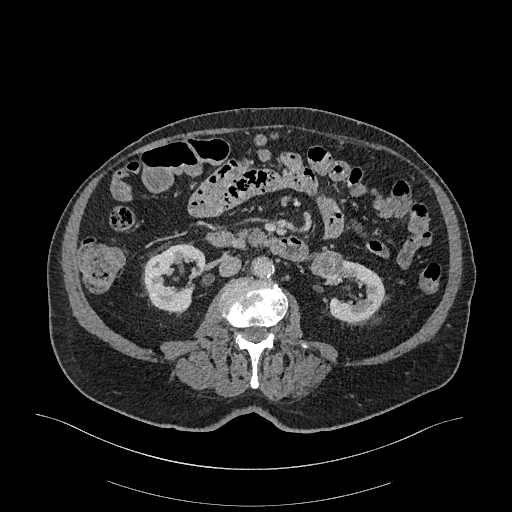
Abdominal CT with intravenous contrast, arterial phase, axial plane, 120 kVp, kernel I26f. Slice 125/470 from the bottom of the scan; thickness 1.00 mm; pixel size 0.938 mm.
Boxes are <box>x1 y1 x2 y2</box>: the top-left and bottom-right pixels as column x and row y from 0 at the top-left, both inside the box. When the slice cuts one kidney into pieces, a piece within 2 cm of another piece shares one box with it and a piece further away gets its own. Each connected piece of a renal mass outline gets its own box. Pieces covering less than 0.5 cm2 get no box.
Boxed on this slice (two kidney boxes and one renal mass box), listed by box centre from the image's left to its right: (1) Right kidney at <box>142 243 206 313</box> (outlined area 2,946 px, about 25.9 cm2). (2) Left renal mass: <box>309 250 342 283</box> (outlined area 838 px, about 7.4 cm2). (3) Left kidney: <box>322 257 385 322</box> (outlined area 2,288 px, about 20.1 cm2).